One axial slice (62 of 88, counting up from the lowest) of an arterial-phase abdominal CT acquired with 100 kVp, kernel I40f; each pixel is 0.705 mm and the slice is 5.00 mm thick.
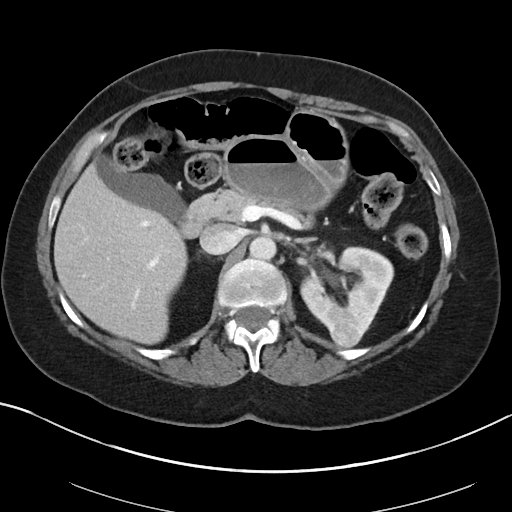
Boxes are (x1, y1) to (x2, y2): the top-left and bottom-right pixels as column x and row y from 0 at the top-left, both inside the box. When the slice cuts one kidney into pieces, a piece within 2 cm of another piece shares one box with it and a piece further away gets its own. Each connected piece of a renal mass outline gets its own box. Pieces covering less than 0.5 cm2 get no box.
Boxed on this slice (one kidney box and one renal mass box), listed by box centre from the image's left to its right: (1) Box (329, 315) to (363, 345): left renal mass (outlined area 818 px, about 4.1 cm2). (2) Left kidney, box (300, 246) to (394, 333) (outlined area 5,148 px, about 25.6 cm2).